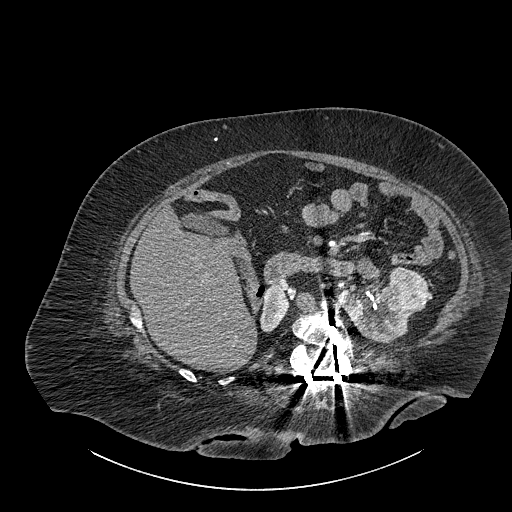
Abdominal CT with intravenous contrast, axial plane, 140 kVp, kernel I30f. Slice 542/834 from the bottom of the scan; thickness 1.00 mm; pixel size 0.977 mm.
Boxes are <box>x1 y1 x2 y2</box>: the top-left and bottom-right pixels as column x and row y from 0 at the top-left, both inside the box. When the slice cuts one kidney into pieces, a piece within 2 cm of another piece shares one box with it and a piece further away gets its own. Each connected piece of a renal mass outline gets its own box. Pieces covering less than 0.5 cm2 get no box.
Three boxes on this slice (two kidney boxes and one renal mass box), listed by box centre from the image's left to its right. (1) Right part of the midline-crossing kidney: <box>260 285 288 332</box> (outlined area 979 px, about 9.3 cm2). (2) Left part of the midline-crossing kidney at <box>339 284 415 343</box> (outlined area 2,680 px, about 25.6 cm2). (3) Renal mass: <box>389 266 427 311</box> (outlined area 1,356 px, about 12.9 cm2).